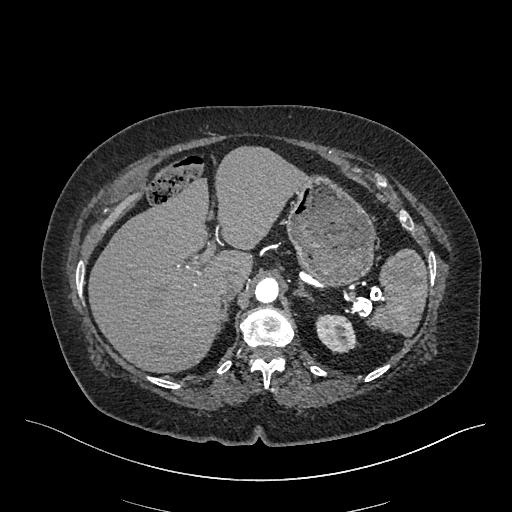
Arterial-phase contrast-enhanced abdominal CT, axial slice 356 of 548 (counted from the lowest slice); tube voltage 120 kVp, convolution kernel I26f; slices 1.00 mm thick, 0.852 mm per pixel.
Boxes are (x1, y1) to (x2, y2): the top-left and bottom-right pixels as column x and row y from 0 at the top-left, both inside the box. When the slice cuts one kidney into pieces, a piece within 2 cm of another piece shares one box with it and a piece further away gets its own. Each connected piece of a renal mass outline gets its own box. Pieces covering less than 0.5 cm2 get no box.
Left kidney from (315, 314) to (356, 353) (outlined area 1,250 px, about 9.1 cm2). No renal mass outline on this slice.